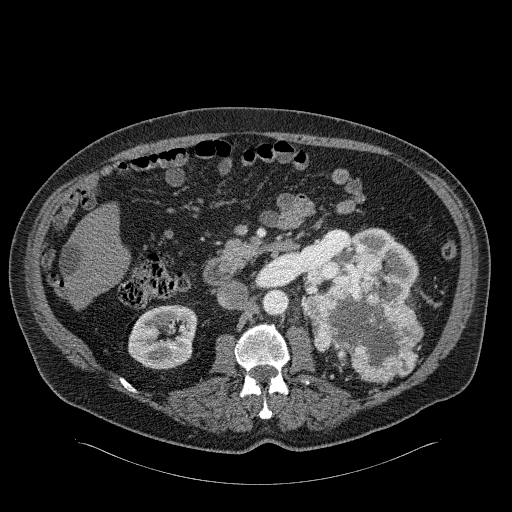
Axial slice 121 of 326 of a contrast-enhanced abdominal CT in the arterial phase (slice 1 is the lowest), 120 kVp, kernel B31f; 2.00 mm slice thickness and 0.963 mm pixels.
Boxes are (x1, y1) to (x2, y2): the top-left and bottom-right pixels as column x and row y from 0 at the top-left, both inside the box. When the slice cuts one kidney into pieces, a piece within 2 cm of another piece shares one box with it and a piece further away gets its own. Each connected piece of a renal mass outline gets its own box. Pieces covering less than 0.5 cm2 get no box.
Three boxes on this slice (two kidney boxes and one renal mass box), listed by box centre from the image's left to its right. (1) Right kidney from (128, 304) to (197, 369) (outlined area 3,536 px, about 32.8 cm2). (2) Box (303, 227) to (418, 302): left kidney (outlined area 3,630 px, about 33.7 cm2). (3) Left renal mass from (303, 251) to (423, 382) (outlined area 9,201 px, about 85.3 cm2).